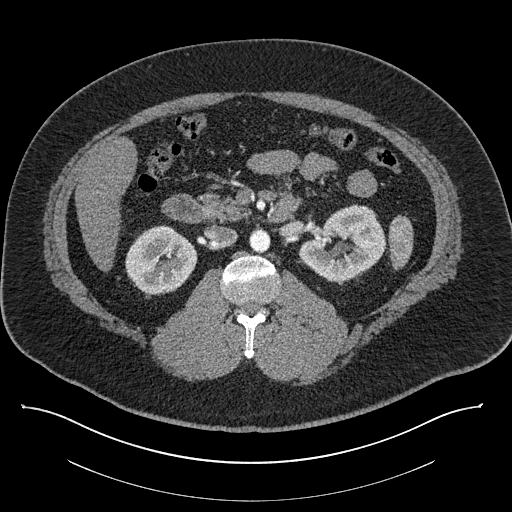
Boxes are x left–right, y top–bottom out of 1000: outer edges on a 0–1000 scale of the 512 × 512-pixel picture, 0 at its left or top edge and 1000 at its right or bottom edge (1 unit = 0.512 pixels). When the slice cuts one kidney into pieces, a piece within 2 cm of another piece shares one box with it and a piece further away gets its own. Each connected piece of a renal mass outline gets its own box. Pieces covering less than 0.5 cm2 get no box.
Slice 496/787 of a contrast-enhanced abdominal CT, counting up from the lowest; pixel size 0.910 mm, slice thickness 1.00 mm. Boxed on this slice (two kidney boxes), listed by box centre from the image's left to its right: (1) Right kidney, box x 244–387, y 439–578 out of 1000 (outlined area 3,804 px, about 31.5 cm2). (2) Left kidney, box x 582–756, y 398–553 out of 1000 (outlined area 4,730 px, about 39.2 cm2). This slice carries no renal mass outline.
Tube voltage 140 kVp; convolution kernel I30f.